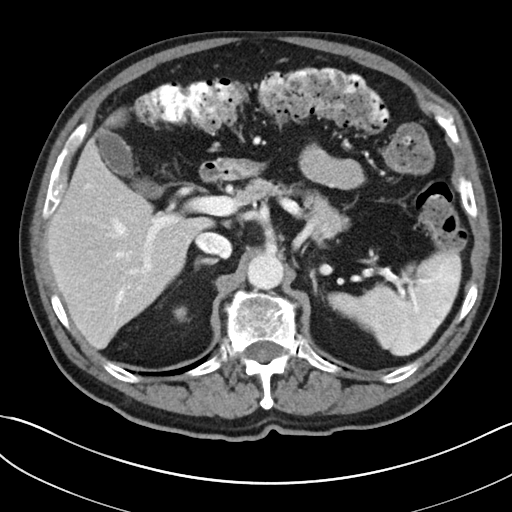
One axial slice (148 of 269, counting up from the lowest) of a contrast-enhanced abdominal CT acquired with 100 kVp, kernel I30f; each pixel is 0.732 mm and the slice is 5.00 mm thick.
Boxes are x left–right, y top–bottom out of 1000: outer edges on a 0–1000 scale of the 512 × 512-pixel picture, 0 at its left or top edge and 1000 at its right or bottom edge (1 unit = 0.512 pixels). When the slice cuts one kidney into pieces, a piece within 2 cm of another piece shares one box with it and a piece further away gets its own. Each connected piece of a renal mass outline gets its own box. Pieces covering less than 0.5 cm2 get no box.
Right kidney, box x 340–361, y 598–623 out of 1000 (outlined area 103 px, about 0.6 cm2). No renal mass is outlined on this slice.